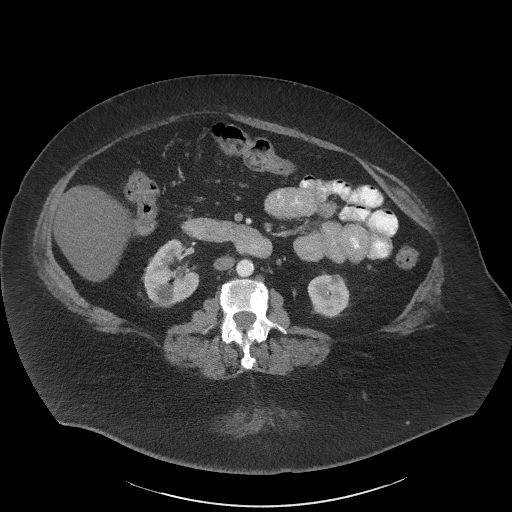
Axial slice 25 of 61 of a contrast-enhanced abdominal CT in the arterial phase (slice 1 is the lowest), 140 kVp, kernel I41f; 3.00 mm slice thickness and 0.947 mm pixels.
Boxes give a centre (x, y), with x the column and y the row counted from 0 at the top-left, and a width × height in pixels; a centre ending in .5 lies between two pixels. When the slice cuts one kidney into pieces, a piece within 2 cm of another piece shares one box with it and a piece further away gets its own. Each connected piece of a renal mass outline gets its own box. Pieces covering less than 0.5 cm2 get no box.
Two boxes on this slice (two kidney boxes), listed by box centre from the image's left to its right. (1) Right kidney in a box with centre (171, 272), 57 × 69 pixels (outlined area 2,726 px, about 24.5 cm2). (2) Left kidney, box centre (328, 295.5), 43 × 46 pixels (outlined area 1,498 px, about 13.4 cm2). This slice carries no renal mass outline.